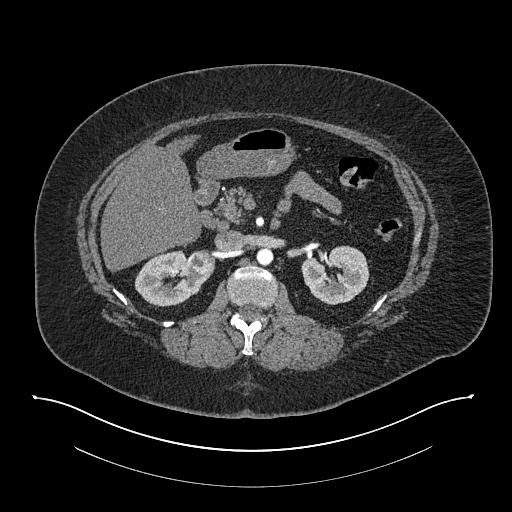
Abdominal CT with intravenous contrast, arterial phase, axial plane, 140 kVp, kernel I30f. Slice 496/673 from the bottom of the scan; thickness 1.00 mm; pixel size 0.957 mm.
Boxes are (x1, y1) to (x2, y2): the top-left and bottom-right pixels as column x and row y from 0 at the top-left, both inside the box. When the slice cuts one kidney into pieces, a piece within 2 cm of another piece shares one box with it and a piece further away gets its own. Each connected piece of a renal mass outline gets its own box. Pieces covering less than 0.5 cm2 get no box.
Two kidney boxes and one renal mass box on this slice; by box centre, from the image's left to its right: (1) Right kidney from (134, 249) to (213, 306) (outlined area 2,865 px, about 26.2 cm2). (2) Box (188, 249) to (215, 271): right renal mass (outlined area 508 px, about 4.7 cm2). (3) Box (301, 245) to (369, 304): left kidney (outlined area 3,005 px, about 27.5 cm2).